Axial slice 192 of 326 of a contrast-enhanced abdominal CT in the arterial phase (slice 1 is the lowest), 120 kVp, kernel B31f; 2.00 mm slice thickness and 0.963 mm pixels.
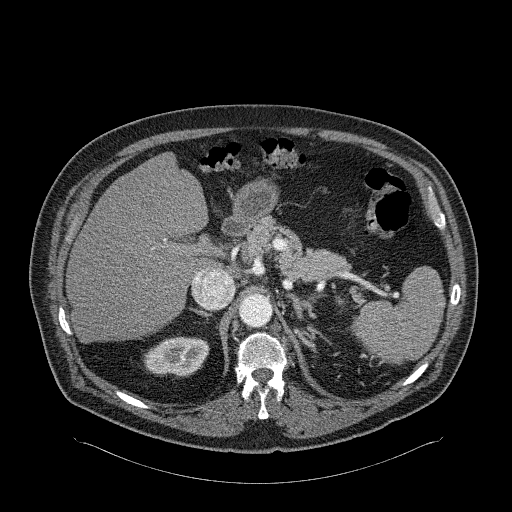
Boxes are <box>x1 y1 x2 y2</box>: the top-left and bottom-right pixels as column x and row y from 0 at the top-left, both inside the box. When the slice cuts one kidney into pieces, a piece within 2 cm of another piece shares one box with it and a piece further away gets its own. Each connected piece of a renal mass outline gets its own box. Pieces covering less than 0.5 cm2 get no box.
Right kidney: <box>143 336 209 376</box> (outlined area 2,083 px, about 19.3 cm2).